One axial slice (75 of 96, counting up from the lowest) of an arterial-phase abdominal CT acquired with 120 kVp, kernel STANDARD; each pixel is 0.689 mm and the slice is 2.50 mm thick.
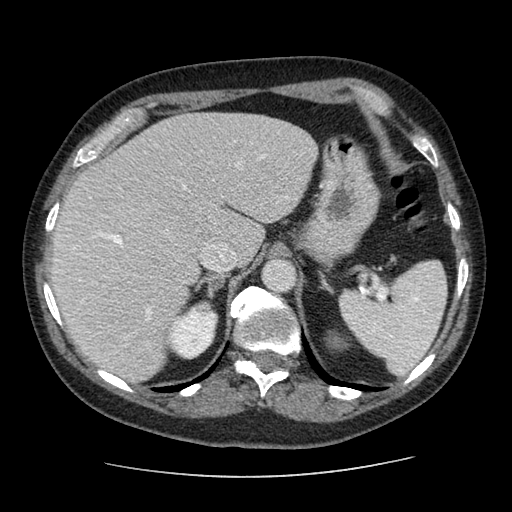
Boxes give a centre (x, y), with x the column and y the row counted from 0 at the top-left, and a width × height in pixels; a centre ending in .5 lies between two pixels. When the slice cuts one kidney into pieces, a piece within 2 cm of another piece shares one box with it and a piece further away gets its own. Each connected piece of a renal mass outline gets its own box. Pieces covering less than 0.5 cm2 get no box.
Three boxes on this slice (two kidney boxes and one renal mass box), listed by box centre from the image's left to its right. (1) Right kidney, box centre (191.5, 332.5), 54 × 54 pixels (outlined area 2,088 px, about 9.9 cm2). (2) Right renal mass, box centre (202.5, 307.5), 22 × 16 pixels (outlined area 224 px, about 1.1 cm2). (3) Box centre (337.5, 340.5), 28 × 22 pixels: left kidney (outlined area 382 px, about 1.8 cm2).